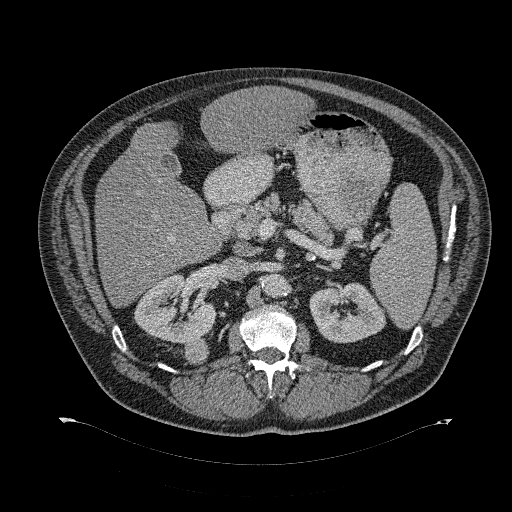
Abdominal CT with intravenous contrast, axial plane, 120 kVp, kernel B31f. Slice 198/274 from the bottom of the scan; thickness 2.00 mm; pixel size 0.977 mm.
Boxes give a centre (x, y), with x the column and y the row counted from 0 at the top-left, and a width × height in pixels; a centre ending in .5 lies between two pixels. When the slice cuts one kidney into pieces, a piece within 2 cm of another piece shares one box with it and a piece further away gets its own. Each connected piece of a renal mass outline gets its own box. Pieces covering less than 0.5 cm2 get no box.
Two kidney boxes and one renal mass box on this slice; by box centre, from the image's left to its right: (1) Box centre (174.5, 309), 84 × 69 pixels: right kidney (outlined area 3,887 px, about 37.1 cm2). (2) Box centre (196, 350), 25 × 27 pixels: right renal mass (outlined area 546 px, about 5.2 cm2). (3) Left kidney, box centre (347.5, 312.5), 78 × 62 pixels (outlined area 3,459 px, about 33.0 cm2).